Axial slice 103 of 270 of a contrast-enhanced abdominal CT in the arterial phase (slice 1 is the lowest), 100 kVp, kernel I40f; 2.00 mm slice thickness and 0.855 mm pixels.
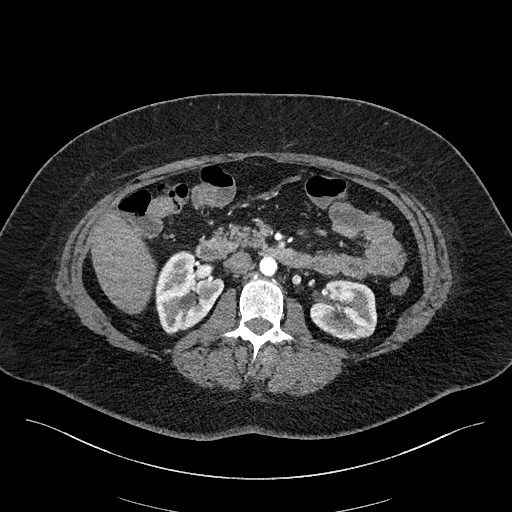
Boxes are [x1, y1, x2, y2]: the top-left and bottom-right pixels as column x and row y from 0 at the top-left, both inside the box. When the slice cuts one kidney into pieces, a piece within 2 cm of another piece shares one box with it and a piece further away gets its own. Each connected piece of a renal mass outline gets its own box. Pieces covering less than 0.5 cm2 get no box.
Boxed on this slice (two kidney boxes), listed by box centre from the image's left to its right: (1) Right kidney, box [155, 251, 224, 334] (outlined area 4,036 px, about 29.5 cm2). (2) Box [310, 280, 377, 340]: left kidney (outlined area 3,242 px, about 23.7 cm2). No renal mass outline on this slice.